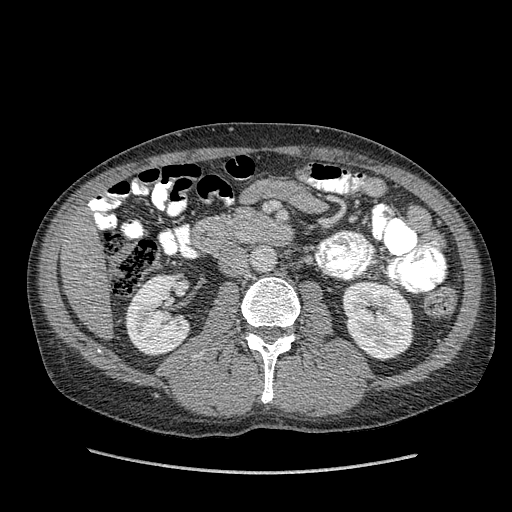
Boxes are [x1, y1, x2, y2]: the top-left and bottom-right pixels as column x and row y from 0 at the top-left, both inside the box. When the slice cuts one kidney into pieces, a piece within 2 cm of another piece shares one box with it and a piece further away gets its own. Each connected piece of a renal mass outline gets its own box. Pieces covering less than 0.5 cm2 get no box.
This is axial slice 193 of 349 (slice 1 is the lowest) of an arterial-phase abdominal CT with contrast; each pixel is 0.742 mm and the slice is 1.25 mm thick. Two boxes on this slice (two kidney boxes), listed by box centre from the image's left to its right. (1) Right kidney, box [124, 272, 191, 356] (outlined area 4,244 px, about 23.4 cm2). (2) Box [342, 280, 413, 360]: left kidney (outlined area 4,572 px, about 25.2 cm2). No renal mass is outlined on this slice.
Acquired at 120 kVp and reconstructed with the STANDARD kernel.